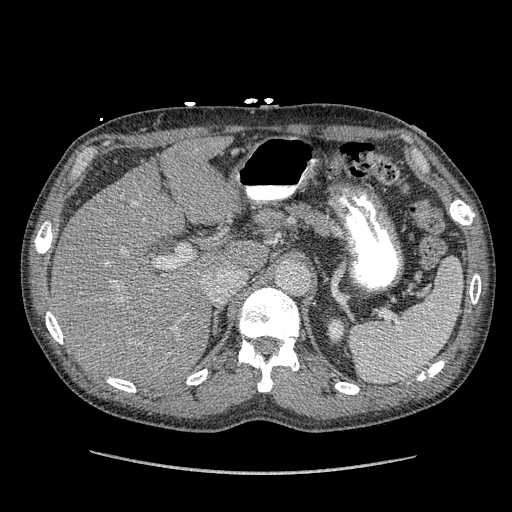
Abdominal CT with intravenous contrast, arterial phase, axial plane, 120 kVp, kernel STANDARD. Slice 262/349 from the bottom of the scan; thickness 1.25 mm; pixel size 0.742 mm.
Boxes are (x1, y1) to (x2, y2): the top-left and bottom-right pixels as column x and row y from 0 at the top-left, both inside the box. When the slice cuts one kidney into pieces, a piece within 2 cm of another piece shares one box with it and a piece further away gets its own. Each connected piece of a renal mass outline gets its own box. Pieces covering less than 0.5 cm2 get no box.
Box (327, 318) to (344, 342): left kidney (outlined area 374 px, about 2.1 cm2). This slice carries no renal mass outline.